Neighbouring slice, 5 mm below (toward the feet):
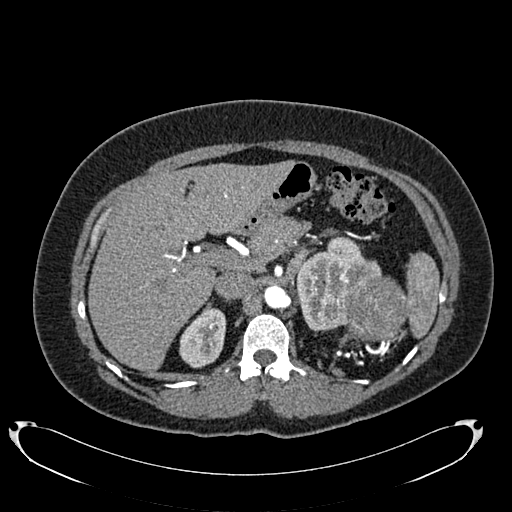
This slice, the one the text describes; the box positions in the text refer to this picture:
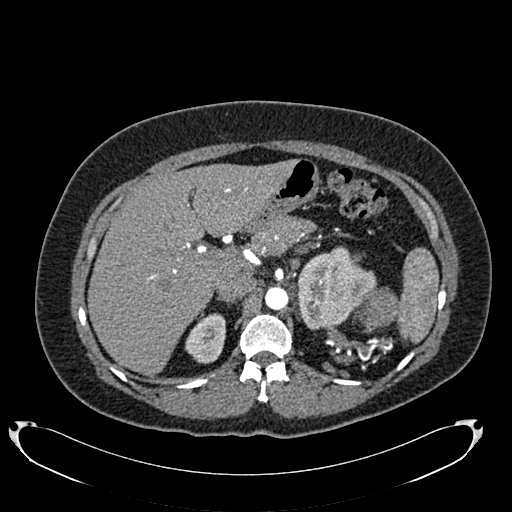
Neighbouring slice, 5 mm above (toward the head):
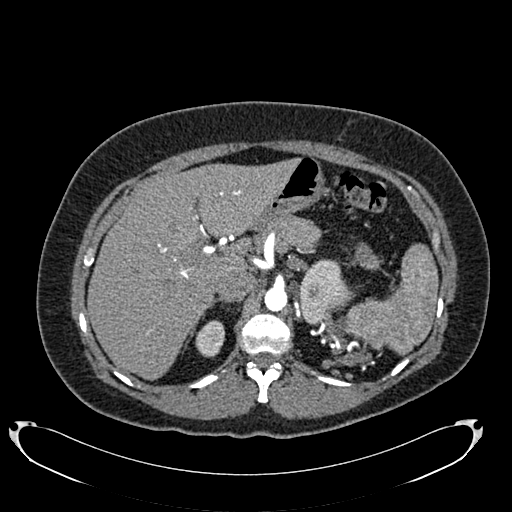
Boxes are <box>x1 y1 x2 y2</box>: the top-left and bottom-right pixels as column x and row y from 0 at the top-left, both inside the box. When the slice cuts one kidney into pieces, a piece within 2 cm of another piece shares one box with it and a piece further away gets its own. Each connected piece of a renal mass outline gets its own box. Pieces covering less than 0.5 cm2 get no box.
Arterial-phase contrast-enhanced abdominal CT, axial slice 521 of 634 (counted from the lowest slice); 1.00 mm thick, 0.838 mm per pixel. Four boxes on this slice (two kidney boxes and two renal mass boxes), listed by box centre from the image's left to its right. (1) At <box>185 313 225 363</box>: right kidney (outlined area 1,545 px, about 10.8 cm2). (2) Left kidney: <box>297 246 376 328</box> (outlined area 4,386 px, about 30.8 cm2). (3) At <box>353 280 376 312</box>: left renal mass (outlined area 196 px, about 1.4 cm2). (4) At <box>354 287 398 333</box>: left renal mass (outlined area 1,223 px, about 8.6 cm2). This slice is near the end of the left renal mass toward the head, so the slices 5 mm below and 5 mm above it are shown as well; the boxes refer to this slice only.
Scan settings: 120 kVp, B20f reconstruction kernel.